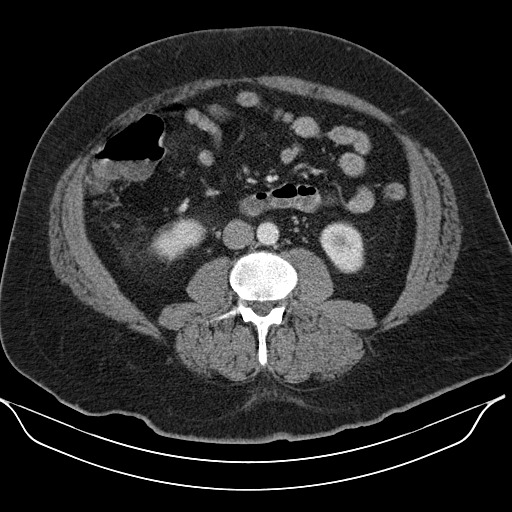
One axial slice (58 of 110, counting up from the lowest) of an arterial-phase abdominal CT acquired with 130 kVp, kernel B30s; each pixel is 0.836 mm and the slice is 5.00 mm thick.
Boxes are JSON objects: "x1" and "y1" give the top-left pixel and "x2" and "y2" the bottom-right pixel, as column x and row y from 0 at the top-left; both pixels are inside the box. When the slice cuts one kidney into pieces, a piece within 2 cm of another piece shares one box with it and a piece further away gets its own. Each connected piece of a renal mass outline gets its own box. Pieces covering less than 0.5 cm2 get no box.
Two kidney boxes on this slice; by box centre, from the image's left to its right: (1) Right kidney at {"x1": 153, "y1": 218, "x2": 204, "y2": 259} (outlined area 1,498 px, about 10.5 cm2). (2) Left kidney, box {"x1": 319, "y1": 221, "x2": 364, "y2": 273} (outlined area 1,793 px, about 12.5 cm2). No renal mass outline on this slice.